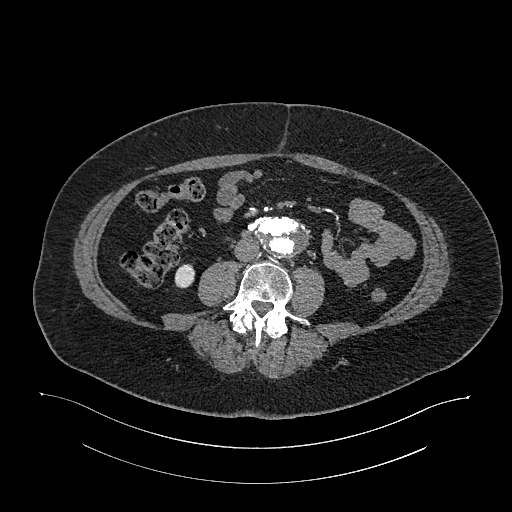
Axial slice 530 of 987 of a contrast-enhanced abdominal CT in the arterial phase (slice 1 is the lowest), 120 kVp, kernel I26f; 1.00 mm slice thickness and 0.977 mm pixels.
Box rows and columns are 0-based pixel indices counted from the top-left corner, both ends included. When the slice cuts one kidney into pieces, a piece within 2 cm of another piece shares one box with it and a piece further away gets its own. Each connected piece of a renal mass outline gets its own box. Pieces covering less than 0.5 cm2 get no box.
Right kidney at rows 264–288, columns 174–195 (outlined area 415 px, about 4.0 cm2). No renal mass outline on this slice.